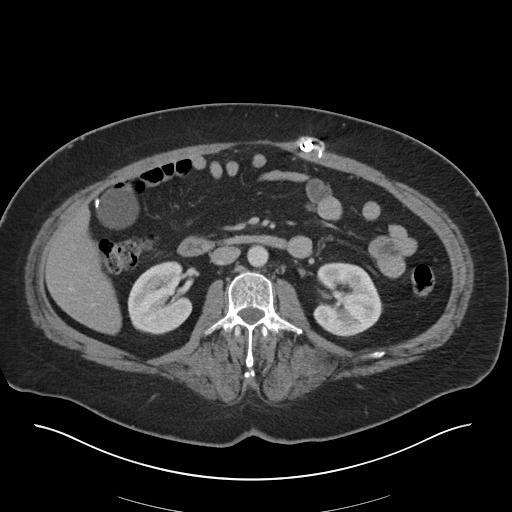
Arterial-phase contrast-enhanced abdominal CT, axial slice 15 of 36 (counted from the lowest slice); tube voltage 140 kVp, convolution kernel I30f; slices 5.00 mm thick, 0.906 mm per pixel.
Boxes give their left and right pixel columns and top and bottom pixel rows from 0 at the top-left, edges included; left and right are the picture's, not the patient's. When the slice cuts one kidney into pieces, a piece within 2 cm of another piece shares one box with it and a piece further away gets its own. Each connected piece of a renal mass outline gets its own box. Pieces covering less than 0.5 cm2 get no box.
Two kidney boxes on this slice; by box centre, from the image's left to its right: (1) Right kidney in the box with left 127, top 261, right 192, bottom 334 (outlined area 3,676 px, about 30.2 cm2). (2) Box with left 313, top 262, right 382, bottom 337: left kidney (outlined area 4,025 px, about 33.1 cm2). This slice carries no renal mass outline.